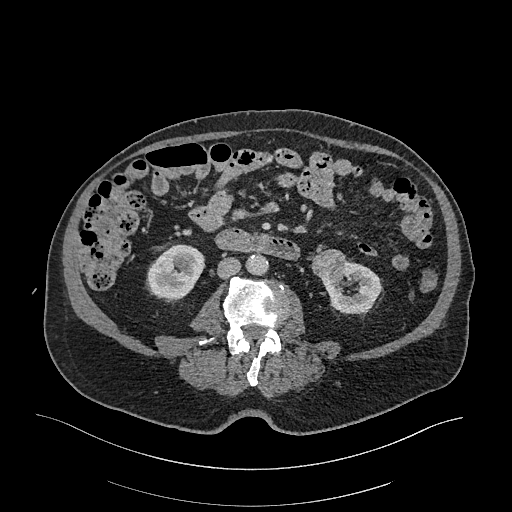
One axial slice (102 of 470, counting up from the lowest) of an arterial-phase abdominal CT acquired with 120 kVp, kernel I26f; each pixel is 0.938 mm and the slice is 1.00 mm thick.
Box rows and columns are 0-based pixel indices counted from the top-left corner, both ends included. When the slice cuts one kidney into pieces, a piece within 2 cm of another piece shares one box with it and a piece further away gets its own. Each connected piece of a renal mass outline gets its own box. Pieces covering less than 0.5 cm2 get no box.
Boxed on this slice (two kidney boxes and one renal mass box), listed by box centre from the image's left to its right: (1) Right kidney at rows 244–301, columns 146–205 (outlined area 2,466 px, about 21.7 cm2). (2) Left renal mass, box rows 249–280, columns 311–345 (outlined area 873 px, about 7.7 cm2). (3) Left kidney, box rows 260–314, columns 320–380 (outlined area 2,084 px, about 18.3 cm2).